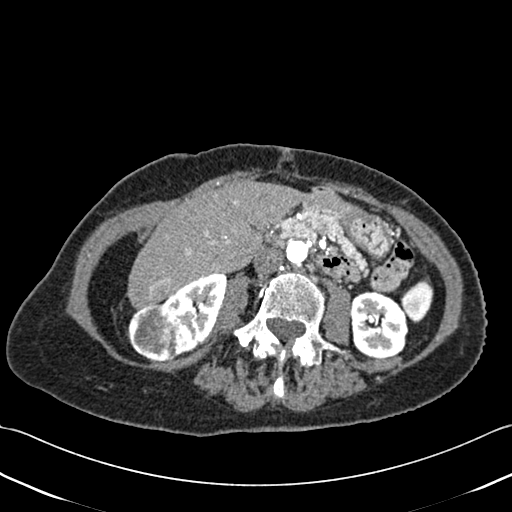
One axial slice (206 of 433, counting up from the lowest) of a contrast-enhanced abdominal CT acquired with 120 kVp, kernel B30f; each pixel is 0.672 mm and the slice is 1.00 mm thick.
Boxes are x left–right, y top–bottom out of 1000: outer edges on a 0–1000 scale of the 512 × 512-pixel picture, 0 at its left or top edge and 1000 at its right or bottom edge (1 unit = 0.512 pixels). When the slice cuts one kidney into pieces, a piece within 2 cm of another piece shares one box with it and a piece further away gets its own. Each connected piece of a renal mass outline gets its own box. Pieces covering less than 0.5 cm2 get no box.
Three boxes on this slice (two kidney boxes and one renal mass box), listed by box centre from the image's left to its right. (1) Right renal mass at x 246–361, y 592–707 out of 1000 (outlined area 2,606 px, about 11.8 cm2). (2) Box x 318–445, y 533–693 out of 1000: right kidney (outlined area 2,876 px, about 13.0 cm2). (3) Box x 686–799, y 568–703 out of 1000: left kidney (outlined area 3,194 px, about 14.4 cm2).